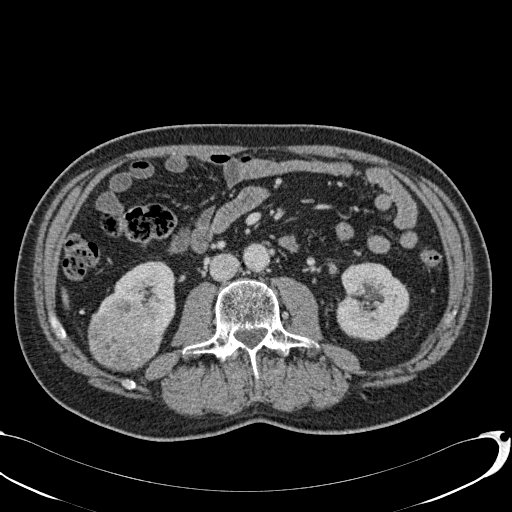
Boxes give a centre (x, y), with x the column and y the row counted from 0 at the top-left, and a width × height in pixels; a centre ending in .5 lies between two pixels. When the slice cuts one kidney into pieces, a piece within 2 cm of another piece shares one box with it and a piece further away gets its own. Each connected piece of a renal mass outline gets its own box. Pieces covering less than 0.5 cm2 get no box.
Contrast-enhanced abdominal CT, axial slice 25 of 113 (counted from the lowest slice); 2.00 mm thick, 0.742 mm per pixel. Three boxes on this slice (two kidney boxes and one renal mass box), listed by box centre from the image's left to its right. (1) Right renal mass, box centre (125, 336), 77 × 73 pixels (outlined area 4,321 px, about 23.8 cm2). (2) Right kidney, box centre (136, 296.5), 79 × 74 pixels (outlined area 2,661 px, about 14.7 cm2). (3) Left kidney, box centre (372, 300.5), 75 × 78 pixels (outlined area 4,473 px, about 24.6 cm2).
Tube voltage 120 kVp; convolution kernel B31f.